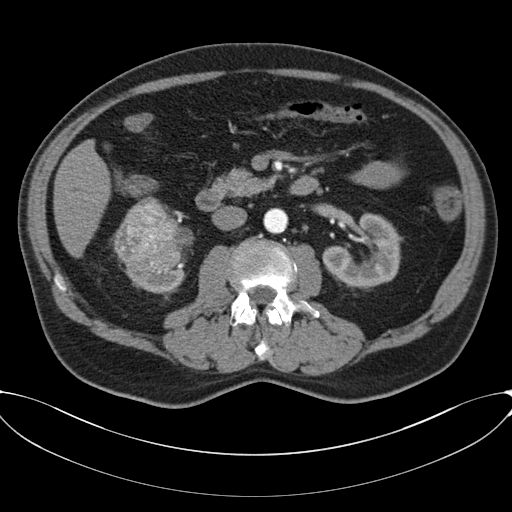
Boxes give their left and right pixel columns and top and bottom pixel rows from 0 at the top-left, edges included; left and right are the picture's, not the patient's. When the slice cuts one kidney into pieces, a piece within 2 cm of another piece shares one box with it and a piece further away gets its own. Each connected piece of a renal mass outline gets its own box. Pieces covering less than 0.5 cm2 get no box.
This is axial slice 33 of 80 (slice 1 is the lowest) of an abdominal CT with contrast; each pixel is 0.822 mm and the slice is 3.00 mm thick. Boxed on this slice (two kidney boxes and one renal mass box), listed by box centre from the image's left to its right: (1) Right kidney in the box with left 114, top 196, right 184, bottom 292 (outlined area 1,456 px, about 9.8 cm2). (2) Right renal mass in the box with left 125, top 203, right 193, bottom 274 (outlined area 3,692 px, about 25.0 cm2). (3) Left kidney, the box with left 323, top 213, right 402, bottom 288 (outlined area 3,899 px, about 26.4 cm2).
Acquired at 120 kVp and reconstructed with the B30f kernel.